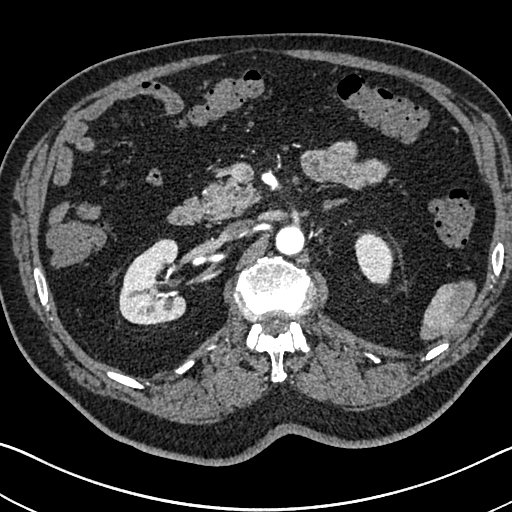
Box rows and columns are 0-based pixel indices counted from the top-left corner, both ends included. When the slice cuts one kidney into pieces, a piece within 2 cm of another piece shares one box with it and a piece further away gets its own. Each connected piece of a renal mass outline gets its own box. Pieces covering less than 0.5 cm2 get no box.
Slice 457/705 of a contrast-enhanced abdominal CT in the arterial phase, counting up from the lowest; pixel size 0.703 mm, slice thickness 1.00 mm. Boxed on this slice (two kidney boxes), listed by box centre from the image's left to its right: (1) Right kidney at rows 239–325, columns 119–185 (outlined area 4,235 px, about 20.9 cm2). (2) Left kidney, box rows 230–286, columns 354–393 (outlined area 1,602 px, about 7.9 cm2). This slice carries no renal mass outline.
Tube voltage 120 kVp; convolution kernel I30f.